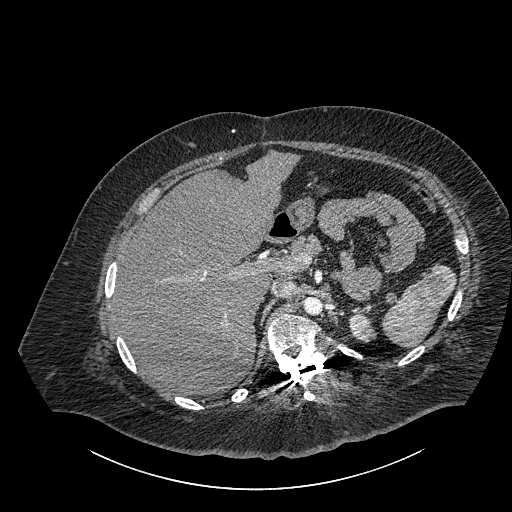
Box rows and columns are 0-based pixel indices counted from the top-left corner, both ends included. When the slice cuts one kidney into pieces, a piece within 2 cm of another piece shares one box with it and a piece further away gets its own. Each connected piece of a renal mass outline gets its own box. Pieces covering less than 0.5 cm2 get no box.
This is axial slice 641 of 834 (slice 1 is the lowest) of an abdominal CT with contrast; each pixel is 0.977 mm and the slice is 1.00 mm thick. Left part of the midline-crossing kidney at rows 312–342, columns 348–376 (outlined area 606 px, about 5.8 cm2). This slice carries no renal mass outline.
Tube voltage 140 kVp; convolution kernel I30f.